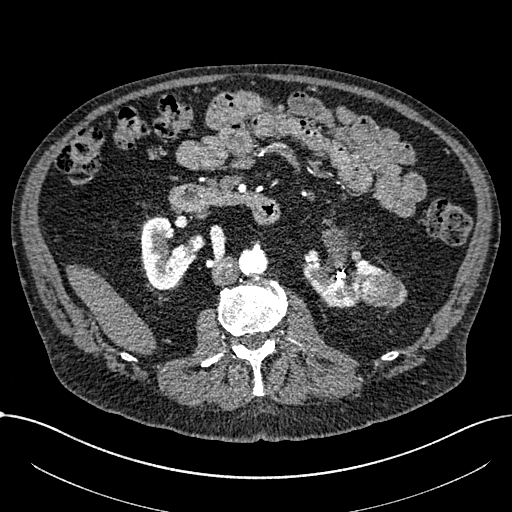
Axial slice 372 of 1059 of a contrast-enhanced abdominal CT in the arterial phase (slice 1 is the lowest), 100 kVp, kernel I30f; 1.00 mm slice thickness and 0.811 mm pixels.
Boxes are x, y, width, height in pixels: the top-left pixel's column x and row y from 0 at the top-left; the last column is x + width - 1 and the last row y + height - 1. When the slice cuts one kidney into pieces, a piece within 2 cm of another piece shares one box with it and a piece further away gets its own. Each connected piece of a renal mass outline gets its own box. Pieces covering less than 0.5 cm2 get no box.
Two kidney boxes and one renal mass box on this slice; by box centre, from the image's left to its right: (1) Right part of the midline-crossing kidney at x 141, y 216, width 65, height 75 (outlined area 2,950 px, about 19.4 cm2). (2) Box x 303, y 252, width 84, height 57: left part of the midline-crossing kidney (outlined area 2,778 px, about 18.3 cm2). (3) Renal mass, box x 361, y 273, width 47, height 36 (outlined area 1,335 px, about 8.8 cm2).